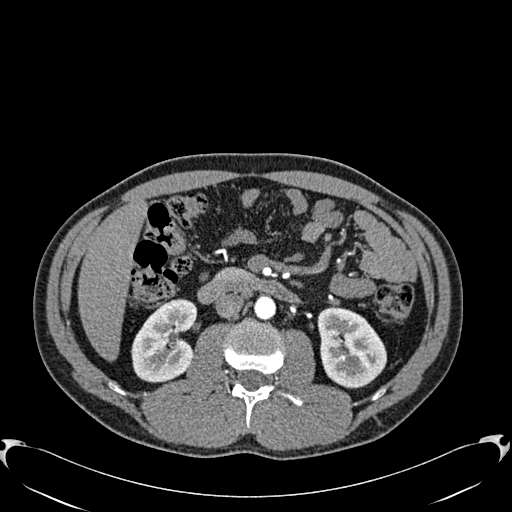
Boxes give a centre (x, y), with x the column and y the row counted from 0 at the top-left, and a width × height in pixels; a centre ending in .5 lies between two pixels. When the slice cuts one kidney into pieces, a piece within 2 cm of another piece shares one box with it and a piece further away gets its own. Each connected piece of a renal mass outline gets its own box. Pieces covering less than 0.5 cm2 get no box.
Arterial-phase contrast-enhanced abdominal CT, axial slice 332 of 512 (counted from the lowest slice); 1.00 mm thick, 0.771 mm per pixel. Two boxes on this slice (two kidney boxes), listed by box centre from the image's left to its right. (1) Box centre (164, 340), 67 × 85 pixels: right kidney (outlined area 4,044 px, about 24.1 cm2). (2) Box centre (351.5, 347), 70 × 83 pixels: left kidney (outlined area 4,302 px, about 25.6 cm2). No renal mass is outlined on this slice.
Scan settings: 120 kVp, B30f reconstruction kernel.